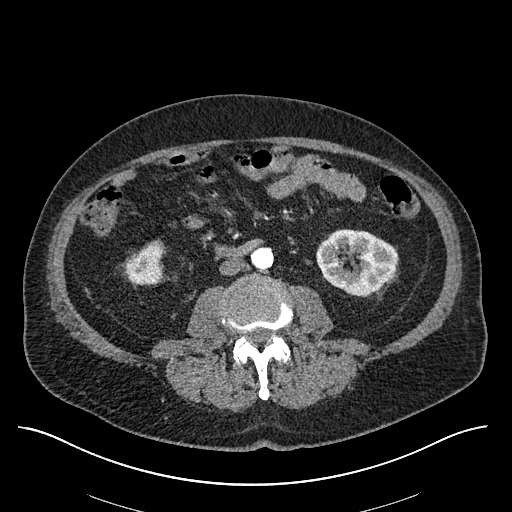
Abdominal CT with intravenous contrast, arterial phase, axial plane, 120 kVp, kernel I30f. Slice 255/670 from the bottom of the scan; thickness 1.00 mm; pixel size 0.861 mm.
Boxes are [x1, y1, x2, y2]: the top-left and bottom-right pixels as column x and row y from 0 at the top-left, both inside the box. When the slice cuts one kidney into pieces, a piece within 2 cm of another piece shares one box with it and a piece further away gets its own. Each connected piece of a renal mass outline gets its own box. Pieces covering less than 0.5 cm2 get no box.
Two boxes on this slice (two kidney boxes), listed by box centre from the image's left to its right. (1) Right kidney, box [123, 239, 164, 284] (outlined area 1,388 px, about 10.3 cm2). (2) Left kidney, box [316, 229, 397, 296] (outlined area 4,127 px, about 30.6 cm2). No renal mass is outlined on this slice.